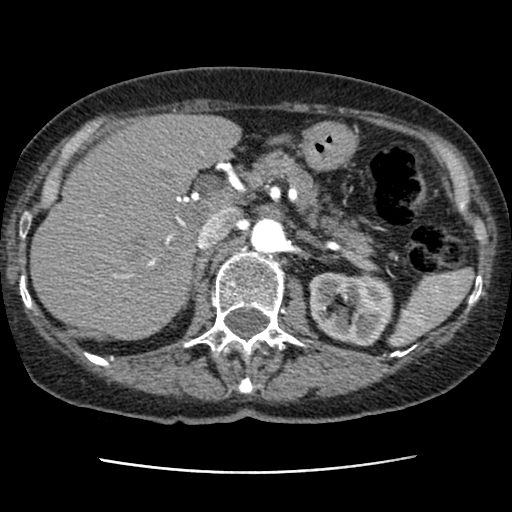
Contrast-enhanced abdominal CT, axial slice 58 of 76 (counted from the lowest slice); tube voltage 120 kVp, convolution kernel STANDARD; slices 2.50 mm thick, 0.586 mm per pixel.
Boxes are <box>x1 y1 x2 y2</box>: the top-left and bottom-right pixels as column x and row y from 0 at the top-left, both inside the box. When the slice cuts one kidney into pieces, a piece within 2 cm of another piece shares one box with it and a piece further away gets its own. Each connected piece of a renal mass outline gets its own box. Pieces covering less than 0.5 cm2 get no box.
At <box>309 272 393 346</box>: left kidney (outlined area 4,981 px, about 17.1 cm2). This slice carries no renal mass outline.